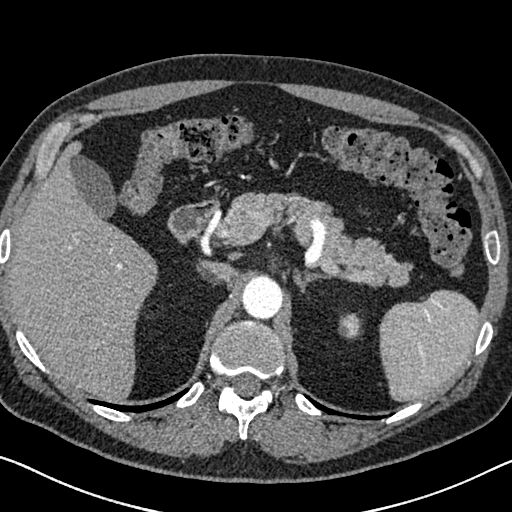
Arterial-phase contrast-enhanced abdominal CT, axial slice 491 of 626 (counted from the lowest slice); tube voltage 120 kVp, convolution kernel I30f; slices 1.00 mm thick, 0.703 mm per pixel.
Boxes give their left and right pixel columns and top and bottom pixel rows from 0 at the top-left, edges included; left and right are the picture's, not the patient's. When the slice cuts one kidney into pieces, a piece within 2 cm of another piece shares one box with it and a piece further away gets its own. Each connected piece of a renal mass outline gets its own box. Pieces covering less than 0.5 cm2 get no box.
Left kidney in the box with left 338, top 313, right 362, bottom 338 (outlined area 505 px, about 2.5 cm2). No renal mass outline on this slice.